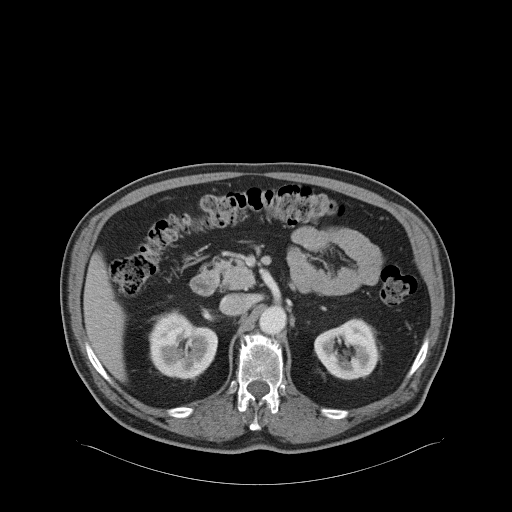
Arterial-phase contrast-enhanced abdominal CT, axial slice 47 of 68 (counted from the lowest slice); tube voltage 120 kVp, convolution kernel B31f; slices 5.00 mm thick, 0.961 mm per pixel.
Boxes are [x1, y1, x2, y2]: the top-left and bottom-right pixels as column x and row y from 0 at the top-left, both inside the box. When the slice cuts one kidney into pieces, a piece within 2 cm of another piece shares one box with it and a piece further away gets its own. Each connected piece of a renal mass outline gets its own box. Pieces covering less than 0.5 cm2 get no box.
Two boxes on this slice (two kidney boxes), listed by box centre from the image's left to its right. (1) Right kidney at [148, 310, 217, 378] (outlined area 3,581 px, about 33.1 cm2). (2) Left kidney at [314, 318, 379, 380] (outlined area 3,016 px, about 27.8 cm2). This slice carries no renal mass outline.